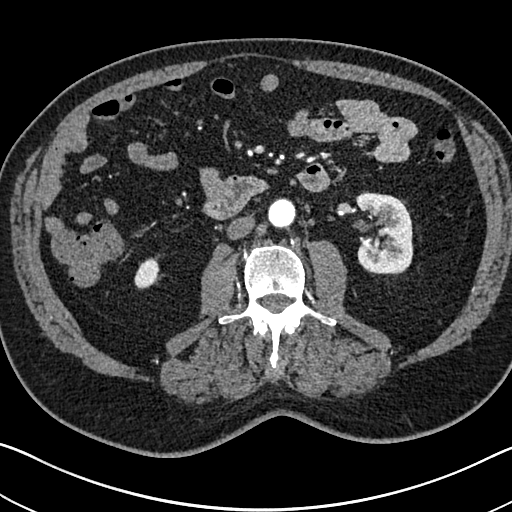
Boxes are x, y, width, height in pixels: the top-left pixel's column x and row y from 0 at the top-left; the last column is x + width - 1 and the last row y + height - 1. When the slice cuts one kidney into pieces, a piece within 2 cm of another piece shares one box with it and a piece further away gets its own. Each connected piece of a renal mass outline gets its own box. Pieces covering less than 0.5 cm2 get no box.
Slice 353/705 of a contrast-enhanced abdominal CT in the arterial phase, counting up from the lowest; pixel size 0.703 mm, slice thickness 1.00 mm. Boxed on this slice (two kidney boxes), listed by box centre from the image's left to its right: (1) Right kidney, box x 134, y 257, width 26, height 33 (outlined area 584 px, about 2.9 cm2). (2) Left kidney at x 355, y 191, width 59, height 84 (outlined area 3,937 px, about 19.5 cm2). No renal mass is outlined on this slice.
Acquired at 120 kVp and reconstructed with the I30f kernel.